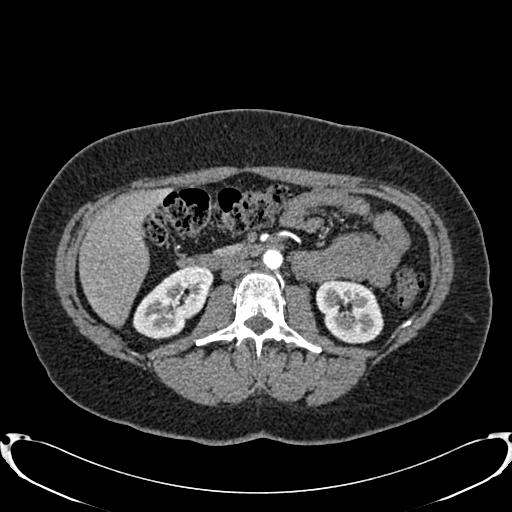
One axial slice (432 of 719, counting up from the lowest) of an arterial-phase abdominal CT acquired with 120 kVp, kernel B20f; each pixel is 0.766 mm and the slice is 1.00 mm thick.
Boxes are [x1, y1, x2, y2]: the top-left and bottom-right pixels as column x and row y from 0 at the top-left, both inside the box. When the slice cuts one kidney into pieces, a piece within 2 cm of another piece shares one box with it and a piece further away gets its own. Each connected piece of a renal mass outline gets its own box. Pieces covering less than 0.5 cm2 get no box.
Two boxes on this slice (two kidney boxes), listed by box centre from the image's left to its right. (1) Right kidney at [133, 266, 213, 339] (outlined area 3,744 px, about 21.9 cm2). (2) Left kidney, box [316, 278, 383, 342] (outlined area 3,310 px, about 19.4 cm2). No renal mass is outlined on this slice.